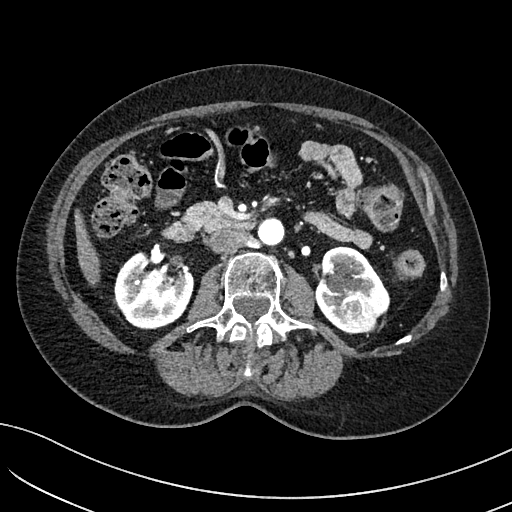
One axial slice (53 of 234, counting up from the lowest) of an arterial-phase abdominal CT acquired with 100 kVp, kernel I40f; each pixel is 0.699 mm and the slice is 2.00 mm thick.
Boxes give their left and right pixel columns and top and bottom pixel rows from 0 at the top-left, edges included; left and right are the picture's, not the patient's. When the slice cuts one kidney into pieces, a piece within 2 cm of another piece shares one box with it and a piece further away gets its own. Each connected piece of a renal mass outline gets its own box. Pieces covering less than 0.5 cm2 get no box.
Boxed on this slice (two kidney boxes and one renal mass box), listed by box centre from the image's left to its right: (1) Box with left 114, top 251, right 194, bottom 329: right kidney (outlined area 4,611 px, about 22.5 cm2). (2) Left kidney, the box with left 314, top 246, right 390, bottom 332 (outlined area 3,550 px, about 17.4 cm2). (3) Left renal mass, the box with left 337, top 294, right 383, bottom 333 (outlined area 1,316 px, about 6.4 cm2).